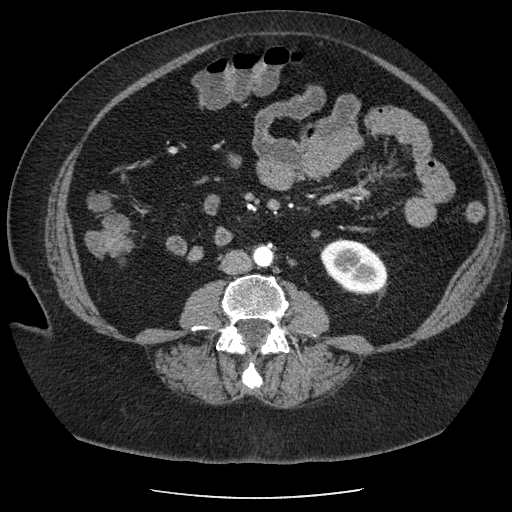
Arterial-phase contrast-enhanced abdominal CT, axial slice 102 of 186 (counted from the lowest slice); tube voltage 120 kVp, convolution kernel STANDARD; slices 2.50 mm thick, 0.742 mm per pixel.
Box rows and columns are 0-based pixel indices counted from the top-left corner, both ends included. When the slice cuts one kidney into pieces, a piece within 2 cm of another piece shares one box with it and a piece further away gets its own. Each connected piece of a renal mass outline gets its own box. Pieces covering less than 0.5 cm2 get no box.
Left kidney at rows 238–294, columns 320–387 (outlined area 2,773 px, about 15.3 cm2). This slice carries no renal mass outline.